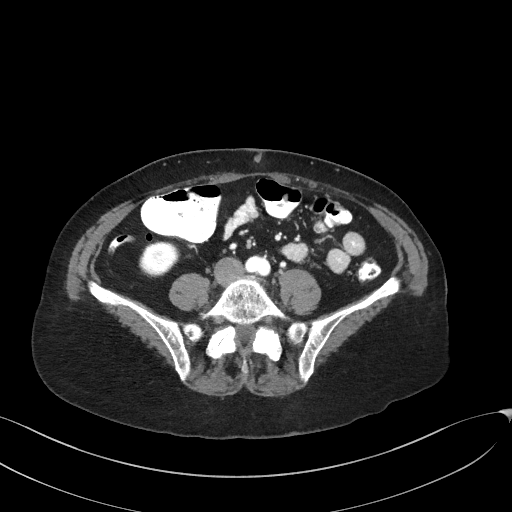
One axial slice (65 of 129, counting up from the lowest) of an arterial-phase abdominal CT acquired with 100 kVp, kernel I41f; each pixel is 0.779 mm and the slice is 3.00 mm thick.
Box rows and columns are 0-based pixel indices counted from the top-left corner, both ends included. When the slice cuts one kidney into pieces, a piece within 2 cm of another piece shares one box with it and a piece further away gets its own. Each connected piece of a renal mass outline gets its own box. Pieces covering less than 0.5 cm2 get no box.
Right kidney, box rows 241–277, columns 139–180 (outlined area 1,163 px, about 7.1 cm2). No renal mass outline on this slice.